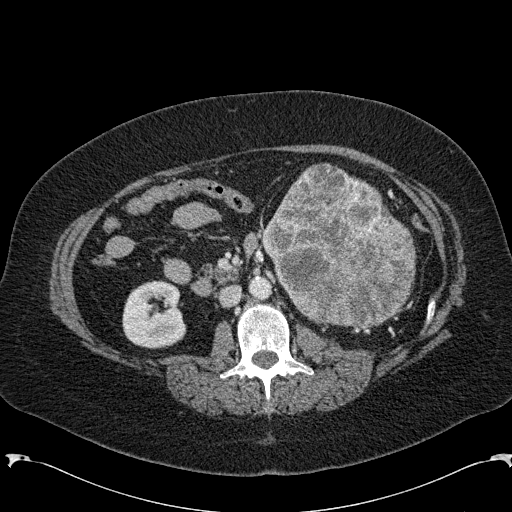
One axial slice (116 of 285, counting up from the lowest) of an arterial-phase abdominal CT acquired with 120 kVp, kernel B31f; each pixel is 0.762 mm and the slice is 2.00 mm thick.
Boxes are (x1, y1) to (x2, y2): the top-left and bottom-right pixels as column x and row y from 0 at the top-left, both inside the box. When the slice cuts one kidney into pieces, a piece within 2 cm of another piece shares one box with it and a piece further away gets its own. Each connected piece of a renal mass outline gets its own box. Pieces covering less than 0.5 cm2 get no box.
One kidney box and one renal mass box on this slice; by box centre, from the image's left to its right: (1) Right kidney from (122, 280) to (186, 348) (outlined area 3,510 px, about 20.4 cm2). (2) Left renal mass, box (261, 163) to (416, 326) (outlined area 18,347 px, about 106.5 cm2); here it is more than 1 cm from any kidney outline, though on another slice the same outlined renal mass lies within 1 cm of the kidney.